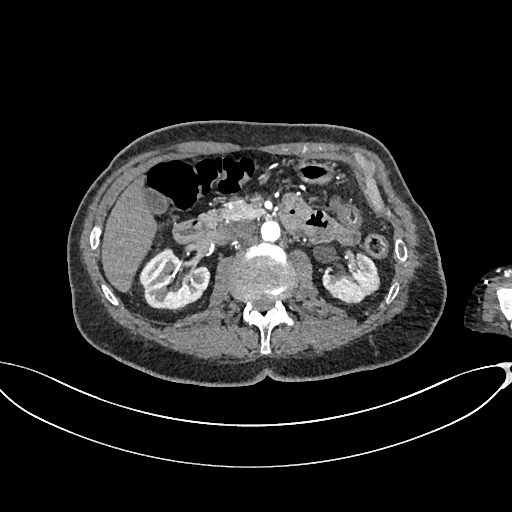
Axial slice 400 of 665 of a contrast-enhanced abdominal CT in the arterial phase (slice 1 is the lowest), 100 kVp, kernel I26f; 1.00 mm slice thickness and 0.828 mm pixels.
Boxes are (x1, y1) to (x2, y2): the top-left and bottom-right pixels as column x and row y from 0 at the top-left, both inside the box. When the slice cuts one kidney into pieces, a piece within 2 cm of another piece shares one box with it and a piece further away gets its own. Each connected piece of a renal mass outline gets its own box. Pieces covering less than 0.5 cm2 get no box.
Two kidney boxes on this slice; by box centre, from the image's left to its right: (1) Right kidney, box (139, 247) to (210, 311) (outlined area 3,237 px, about 22.2 cm2). (2) Box (322, 252) to (380, 304): left kidney (outlined area 2,097 px, about 14.4 cm2). No renal mass outline on this slice.